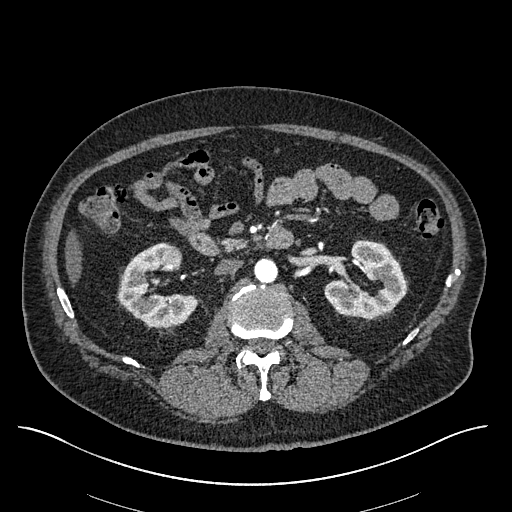
One axial slice (325 of 670, counting up from the lowest) of an arterial-phase abdominal CT acquired with 120 kVp, kernel I30f; each pixel is 0.861 mm and the slice is 1.00 mm thick.
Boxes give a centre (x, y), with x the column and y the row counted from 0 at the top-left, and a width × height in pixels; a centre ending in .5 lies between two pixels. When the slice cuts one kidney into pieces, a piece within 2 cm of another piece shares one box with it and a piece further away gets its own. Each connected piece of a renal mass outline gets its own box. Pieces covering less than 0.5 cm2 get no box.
Two kidney boxes and one renal mass box on this slice; by box centre, from the image's left to its right: (1) Right kidney, box centre (157, 284.5), 81 × 86 pixels (outlined area 3,917 px, about 29.1 cm2). (2) Right renal mass in a box with centre (171.5, 256.5), 22 × 24 pixels (outlined area 381 px, about 2.8 cm2). (3) Left kidney, box centre (365, 279), 83 × 79 pixels (outlined area 4,178 px, about 31.0 cm2).